One axial slice (219 of 325, counting up from the lowest) of an arterial-phase abdominal CT acquired with 100 kVp, kernel I30f; each pixel is 0.703 mm and the slice is 1.00 mm thick.
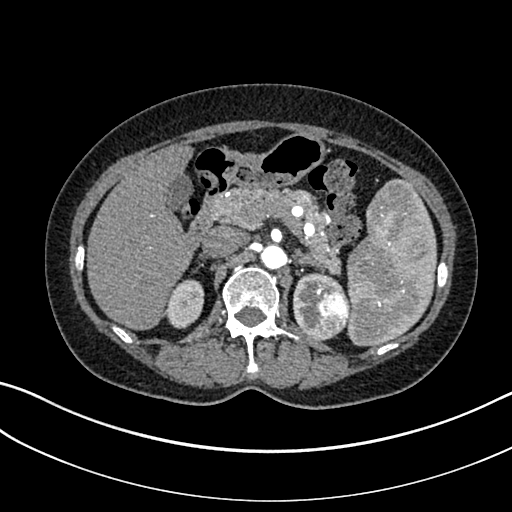
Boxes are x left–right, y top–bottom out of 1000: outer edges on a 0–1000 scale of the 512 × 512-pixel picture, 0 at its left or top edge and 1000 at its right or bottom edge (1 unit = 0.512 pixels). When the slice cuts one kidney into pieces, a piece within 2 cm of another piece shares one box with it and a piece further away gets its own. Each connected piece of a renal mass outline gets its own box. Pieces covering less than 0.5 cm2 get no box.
Two kidney boxes and one renal mass box on this slice; by box centre, from the image's left to its right: (1) Right kidney, box x 324–400, y 545–643 out of 1000 (outlined area 1,449 px, about 7.2 cm2). (2) Left kidney, box x 572–678, y 533–668 out of 1000 (outlined area 1,833 px, about 9.1 cm2). (3) Box x 615–688, y 563–652 out of 1000: left renal mass (outlined area 1,262 px, about 6.2 cm2).